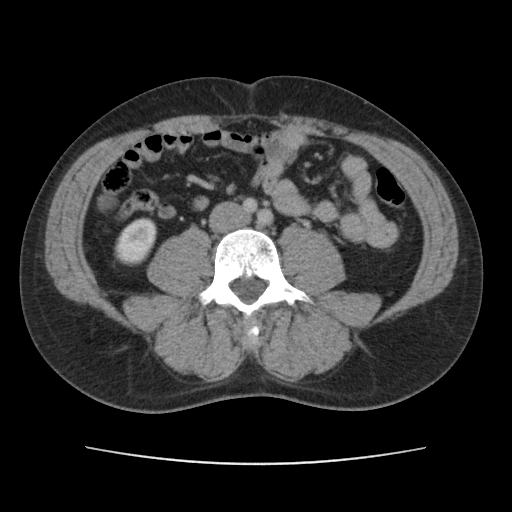
One axial slice (54 of 101, counting up from the lowest) of an arterial-phase abdominal CT acquired with 120 kVp, kernel FC14; each pixel is 0.755 mm and the slice is 5.00 mm thick.
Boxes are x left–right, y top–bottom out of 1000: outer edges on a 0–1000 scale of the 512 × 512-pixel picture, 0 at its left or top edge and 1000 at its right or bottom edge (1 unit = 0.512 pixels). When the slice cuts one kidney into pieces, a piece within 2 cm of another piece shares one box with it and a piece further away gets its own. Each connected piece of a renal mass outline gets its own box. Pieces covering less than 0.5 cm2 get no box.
Right kidney at x 223–307, y 424–521 out of 1000 (outlined area 1,520 px, about 8.7 cm2). No renal mass is outlined on this slice.